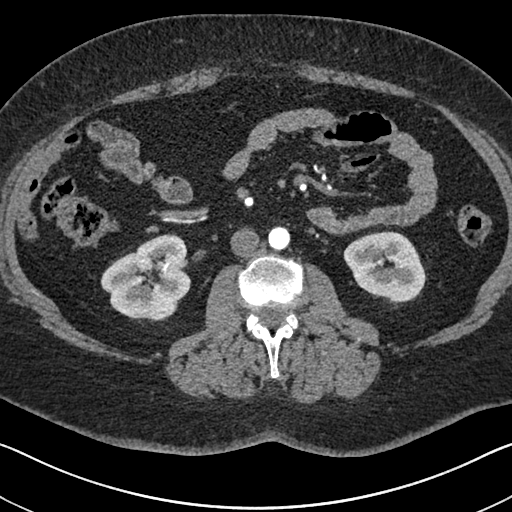
Abdominal CT with intravenous contrast, arterial phase, axial plane, 140 kVp, kernel I30f. Slice 339/591 from the bottom of the scan; thickness 1.00 mm; pixel size 0.703 mm.
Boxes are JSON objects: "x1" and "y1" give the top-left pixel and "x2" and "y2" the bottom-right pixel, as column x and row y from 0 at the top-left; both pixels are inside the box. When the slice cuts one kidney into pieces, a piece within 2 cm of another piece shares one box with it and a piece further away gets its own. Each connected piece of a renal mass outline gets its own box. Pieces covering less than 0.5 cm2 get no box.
Boxed on this slice (two kidney boxes), listed by box centre from the image's left to its right: (1) Right kidney, box {"x1": 100, "y1": 234, "x2": 190, "y2": 322} (outlined area 5,668 px, about 28.0 cm2). (2) Box {"x1": 343, "y1": 231, "x2": 425, "y2": 302}: left kidney (outlined area 4,339 px, about 21.5 cm2). This slice carries no renal mass outline.